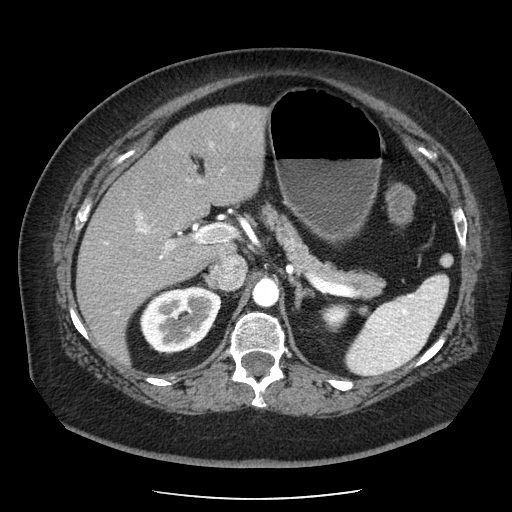
Arterial-phase contrast-enhanced abdominal CT, axial slice 141 of 186 (counted from the lowest slice); tube voltage 120 kVp, convolution kernel STANDARD; slices 2.50 mm thick, 0.742 mm per pixel.
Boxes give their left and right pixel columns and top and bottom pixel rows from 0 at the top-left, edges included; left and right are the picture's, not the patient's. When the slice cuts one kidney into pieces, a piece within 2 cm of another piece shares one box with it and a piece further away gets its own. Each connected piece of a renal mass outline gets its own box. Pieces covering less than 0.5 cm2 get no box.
Two boxes on this slice (two kidney boxes), listed by box centre from the image's left to its right. (1) Box with left 139, top 286, right 221, bottom 352: right kidney (outlined area 4,161 px, about 22.9 cm2). (2) Left kidney, the box with left 319, top 303, right 352, bottom 332 (outlined area 659 px, about 3.6 cm2). No renal mass is outlined on this slice.